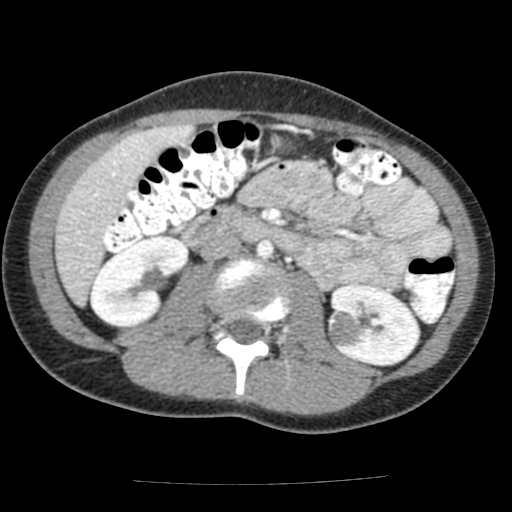
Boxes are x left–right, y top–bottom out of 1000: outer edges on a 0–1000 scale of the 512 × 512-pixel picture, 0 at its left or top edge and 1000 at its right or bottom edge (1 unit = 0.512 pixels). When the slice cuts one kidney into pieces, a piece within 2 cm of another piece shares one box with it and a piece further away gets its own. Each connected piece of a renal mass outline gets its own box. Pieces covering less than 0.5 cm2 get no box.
Arterial-phase contrast-enhanced abdominal CT, axial slice 76 of 117 (counted from the lowest slice); 3.00 mm thick, 0.518 mm per pixel. Three boxes on this slice (two kidney boxes and one renal mass box), listed by box centre from the image's left to its right. (1) Right kidney, box x 174–371, y 459–643 out of 1000 (outlined area 6,378 px, about 17.1 cm2). (2) Left renal mass, box x 637–705, y 605–678 out of 1000 (outlined area 1,039 px, about 2.8 cm2). (3) Box x 645–824, y 553–717 out of 1000: left kidney (outlined area 5,059 px, about 13.6 cm2).
Acquired at 120 kVp and reconstructed with the FC12 kernel.